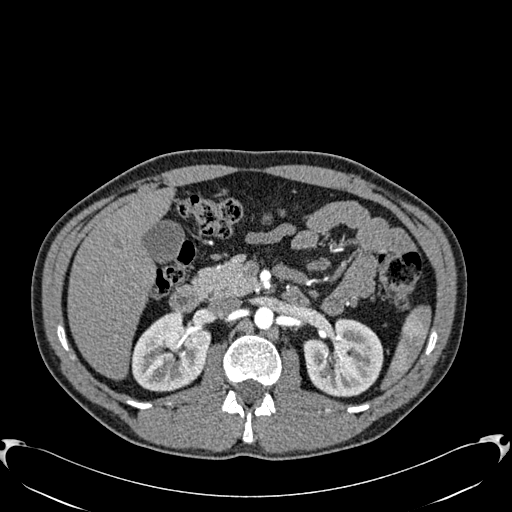
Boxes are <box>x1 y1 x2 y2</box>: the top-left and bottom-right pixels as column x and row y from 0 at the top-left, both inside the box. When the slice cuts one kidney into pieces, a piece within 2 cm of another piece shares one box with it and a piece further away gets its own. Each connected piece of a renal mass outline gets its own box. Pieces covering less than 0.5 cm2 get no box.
Slice 377/512 of a contrast-enhanced abdominal CT in the arterial phase, counting up from the lowest; pixel size 0.771 mm, slice thickness 1.00 mm. Two boxes on this slice (two kidney boxes), listed by box centre from the image's left to its right. (1) At <box>130 312 210 391</box>: right kidney (outlined area 4,679 px, about 27.8 cm2). (2) Left kidney at <box>304 319 383 397</box> (outlined area 4,794 px, about 28.5 cm2). No renal mass outline on this slice.
Scan settings: 120 kVp, B30f reconstruction kernel.